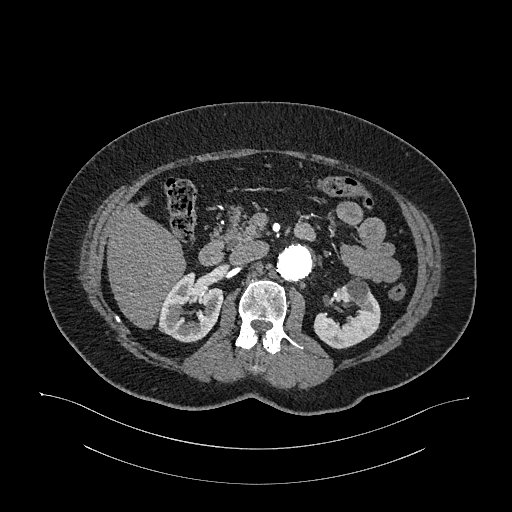
Abdominal CT with intravenous contrast, arterial phase, axial plane, 120 kVp, kernel I26f. Slice 667/987 from the bottom of the scan; thickness 1.00 mm; pixel size 0.977 mm.
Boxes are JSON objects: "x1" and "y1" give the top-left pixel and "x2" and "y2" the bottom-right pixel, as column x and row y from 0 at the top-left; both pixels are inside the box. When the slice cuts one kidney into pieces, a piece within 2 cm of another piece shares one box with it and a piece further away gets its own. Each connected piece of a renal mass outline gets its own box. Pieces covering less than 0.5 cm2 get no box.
Two kidney boxes on this slice; by box centre, from the image's left to its right: (1) Box {"x1": 158, "y1": 271, "x2": 222, "y2": 342}: right kidney (outlined area 3,126 px, about 29.8 cm2). (2) Box {"x1": 313, "y1": 276, "x2": 380, "y2": 349}: left kidney (outlined area 2,961 px, about 28.2 cm2). This slice carries no renal mass outline.